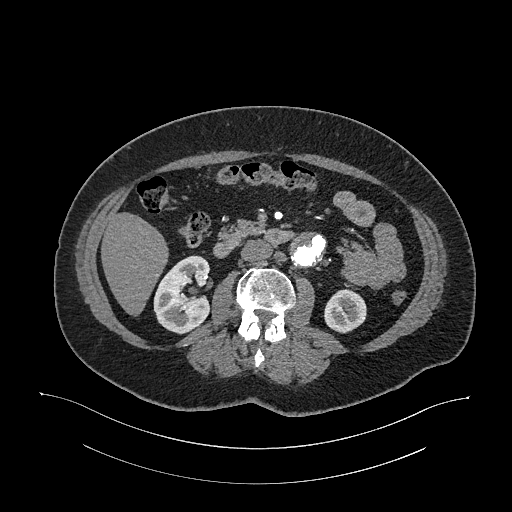
Abdominal CT with intravenous contrast, arterial phase, axial plane, 120 kVp, kernel I26f. Slice 608/987 from the bottom of the scan; thickness 1.00 mm; pixel size 0.977 mm.
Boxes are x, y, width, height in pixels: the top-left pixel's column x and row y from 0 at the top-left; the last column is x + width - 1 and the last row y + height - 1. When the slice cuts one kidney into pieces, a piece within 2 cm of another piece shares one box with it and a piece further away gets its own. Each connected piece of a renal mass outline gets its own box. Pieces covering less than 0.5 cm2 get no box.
Two boxes on this slice (two kidney boxes), listed by box centre from the image's left to its right. (1) Right kidney at x 153, y 255, width 58, height 80 (outlined area 3,365 px, about 32.1 cm2). (2) Left kidney, box x 323, y 289, width 44, height 45 (outlined area 1,469 px, about 14.0 cm2). No renal mass is outlined on this slice.